One axial slice (99 of 233, counting up from the lowest) of an arterial-phase abdominal CT acquired with 120 kVp, kernel STANDARD; each pixel is 0.703 mm and the slice is 1.25 mm thick.
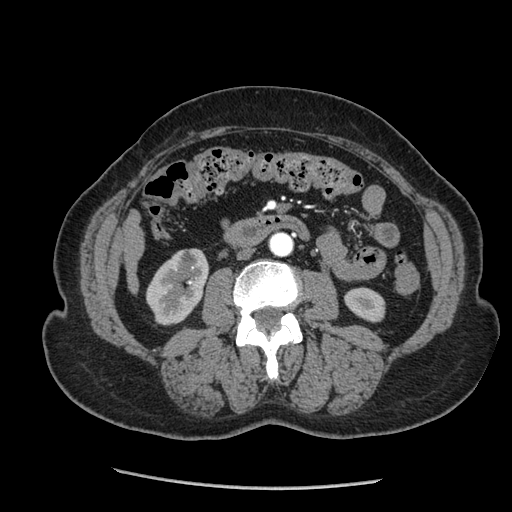
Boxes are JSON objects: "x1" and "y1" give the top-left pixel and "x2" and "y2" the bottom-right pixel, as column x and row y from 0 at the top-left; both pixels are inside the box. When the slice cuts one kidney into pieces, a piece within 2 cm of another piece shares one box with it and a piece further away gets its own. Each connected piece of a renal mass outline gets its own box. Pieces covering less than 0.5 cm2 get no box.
Two boxes on this slice (two kidney boxes), listed by box centre from the image's left to its right. (1) Box {"x1": 145, "y1": 248, "x2": 209, "y2": 325}: right kidney (outlined area 3,473 px, about 17.2 cm2). (2) Box {"x1": 344, "y1": 287, "x2": 385, "y2": 322}: left kidney (outlined area 1,119 px, about 5.5 cm2). No renal mass outline on this slice.